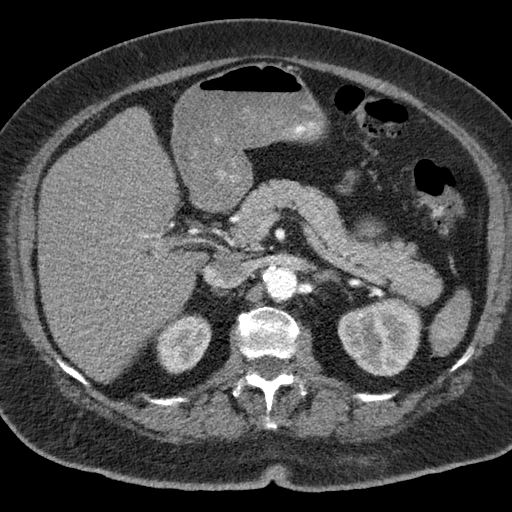
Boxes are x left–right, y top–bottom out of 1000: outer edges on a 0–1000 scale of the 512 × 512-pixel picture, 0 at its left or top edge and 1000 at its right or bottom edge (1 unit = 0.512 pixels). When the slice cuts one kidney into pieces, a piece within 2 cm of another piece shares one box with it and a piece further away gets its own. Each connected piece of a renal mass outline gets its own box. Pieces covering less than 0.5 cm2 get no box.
This is axial slice 45 of 76 (slice 1 is the lowest) of an abdominal CT with contrast; each pixel is 0.684 mm and the slice is 3.00 mm thick. Boxed on this slice (two kidney boxes), listed by box centre from the image's left to its right: (1) Right kidney, box x 303–414, y 613–732 out of 1000 (outlined area 2,544 px, about 11.9 cm2). (2) Left kidney at x 658–824, y 582–736 out of 1000 (outlined area 5,043 px, about 23.6 cm2). No renal mass outline on this slice.
Tube voltage 120 kVp; convolution kernel B.